One axial slice (426 of 738, counting up from the lowest) of an arterial-phase abdominal CT acquired with 120 kVp, kernel I30f; each pixel is 0.789 mm and the slice is 1.00 mm thick.
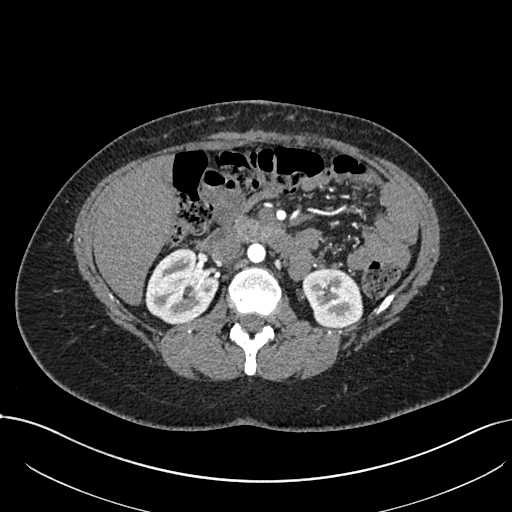
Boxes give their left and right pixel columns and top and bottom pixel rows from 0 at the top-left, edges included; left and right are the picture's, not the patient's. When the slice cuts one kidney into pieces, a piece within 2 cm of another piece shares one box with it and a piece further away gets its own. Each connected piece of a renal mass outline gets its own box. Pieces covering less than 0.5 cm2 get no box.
Boxed on this slice (two kidney boxes), listed by box centre from the image's left to its right: (1) Box with left 145, top 248, right 218, bottom 324: right kidney (outlined area 4,076 px, about 25.4 cm2). (2) Left kidney in the box with left 302, top 268, right 363, bottom 328 (outlined area 2,885 px, about 18.0 cm2). No renal mass is outlined on this slice.